Axial slice 223 of 527 of a contrast-enhanced abdominal CT in the arterial phase (slice 1 is the lowest), 120 kVp, kernel I30f; 1.00 mm slice thickness and 0.859 mm pixels.
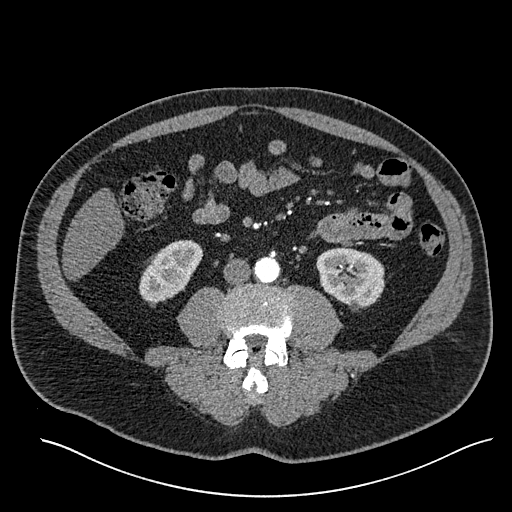
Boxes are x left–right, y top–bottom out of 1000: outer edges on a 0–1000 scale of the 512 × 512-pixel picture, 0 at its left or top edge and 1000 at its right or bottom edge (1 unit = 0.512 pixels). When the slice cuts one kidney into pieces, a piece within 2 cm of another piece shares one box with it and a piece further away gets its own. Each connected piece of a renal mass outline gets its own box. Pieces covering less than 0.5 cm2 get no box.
Two boxes on this slice (two kidney boxes), listed by box centre from the image's left to its right. (1) Right kidney, box x 271–398, y 469–592 out of 1000 (outlined area 2,650 px, about 19.6 cm2). (2) Left kidney at x 617–752, y 480–609 out of 1000 (outlined area 3,299 px, about 24.4 cm2). No renal mass outline on this slice.